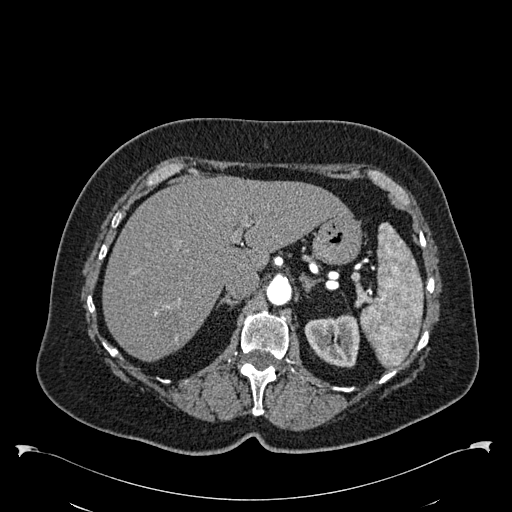
One axial slice (415 of 538, counting up from the lowest) of an arterial-phase abdominal CT acquired with 120 kVp, kernel B30f; each pixel is 0.811 mm and the slice is 1.00 mm thick.
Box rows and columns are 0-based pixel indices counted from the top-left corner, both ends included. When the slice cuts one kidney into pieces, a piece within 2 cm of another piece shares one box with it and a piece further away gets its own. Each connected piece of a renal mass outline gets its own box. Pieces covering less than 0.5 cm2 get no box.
Left kidney, box rows 314–367, columns 304–359 (outlined area 2,297 px, about 15.1 cm2). No renal mass outline on this slice.